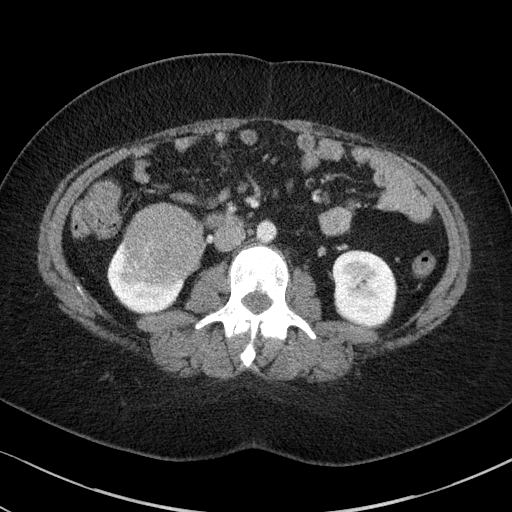
Abdominal CT with intravenous contrast, arterial phase, axial plane, 100 kVp, kernel I41f. Slice 49/85 from the bottom of the scan; thickness 5.00 mm; pixel size 0.664 mm.
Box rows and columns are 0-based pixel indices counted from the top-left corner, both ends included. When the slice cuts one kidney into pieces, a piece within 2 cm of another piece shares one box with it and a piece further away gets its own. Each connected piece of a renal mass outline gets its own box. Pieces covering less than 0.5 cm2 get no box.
Two kidney boxes and one renal mass box on this slice; by box centre, from the image's left to its right: (1) Right kidney, box rows 242–314, columns 107–184 (outlined area 2,506 px, about 11.1 cm2). (2) Right renal mass at rows 202–283, columns 122–206 (outlined area 5,340 px, about 23.5 cm2). (3) Box rows 250–326, columns 332–397: left kidney (outlined area 4,104 px, about 18.1 cm2).